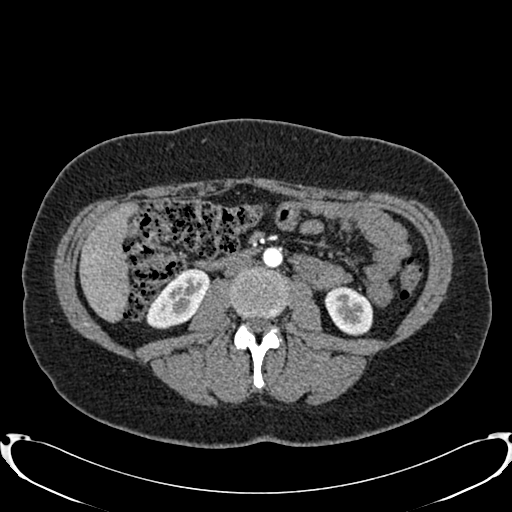
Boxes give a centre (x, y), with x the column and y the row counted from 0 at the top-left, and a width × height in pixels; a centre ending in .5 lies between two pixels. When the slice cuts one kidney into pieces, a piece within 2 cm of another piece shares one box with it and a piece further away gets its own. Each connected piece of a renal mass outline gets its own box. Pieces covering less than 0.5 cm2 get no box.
Slice 399/719 of a contrast-enhanced abdominal CT in the arterial phase, counting up from the lowest; pixel size 0.766 mm, slice thickness 1.00 mm. Boxed on this slice (two kidney boxes), listed by box centre from the image's left to its right: (1) Right kidney in a box with centre (177, 298), 65 × 63 pixels (outlined area 2,455 px, about 14.4 cm2). (2) Box centre (348.5, 310), 50 × 49 pixels: left kidney (outlined area 1,837 px, about 10.8 cm2). No renal mass outline on this slice.
Tube voltage 120 kVp; convolution kernel B20f.